One axial slice (75 of 91, counting up from the lowest) of a contrast-enhanced abdominal CT acquired with 120 kVp, kernel B41f; each pixel is 0.762 mm and the slice is 5.00 mm thick.
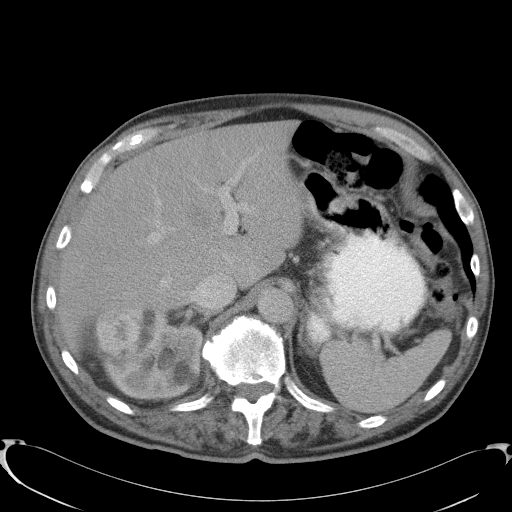
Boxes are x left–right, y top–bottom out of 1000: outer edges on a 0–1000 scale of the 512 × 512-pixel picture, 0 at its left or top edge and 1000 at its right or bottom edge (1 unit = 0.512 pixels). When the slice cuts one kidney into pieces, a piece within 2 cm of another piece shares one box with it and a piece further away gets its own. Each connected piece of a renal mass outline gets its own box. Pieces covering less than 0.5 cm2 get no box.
Boxed on this slice (one kidney box and one renal mass box), listed by box centre from the image's left to its right: (1) Box x 186–279, y 604–699 out of 1000: right renal mass (outlined area 1,838 px, about 10.7 cm2). (2) Right kidney, box x 158–398, y 602–783 out of 1000 (outlined area 6,867 px, about 39.8 cm2).